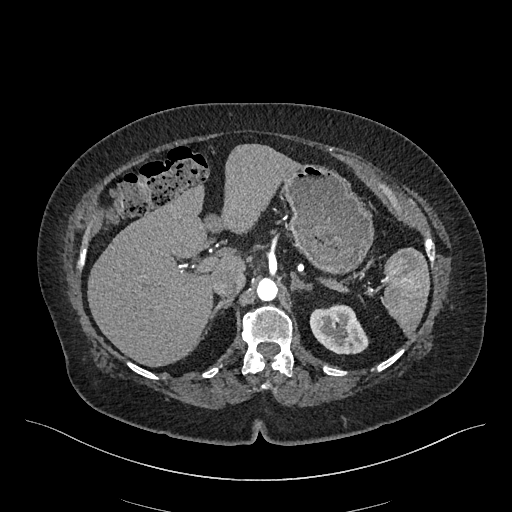
Arterial-phase contrast-enhanced abdominal CT, axial slice 334 of 548 (counted from the lowest slice); tube voltage 120 kVp, convolution kernel I26f; slices 1.00 mm thick, 0.852 mm per pixel.
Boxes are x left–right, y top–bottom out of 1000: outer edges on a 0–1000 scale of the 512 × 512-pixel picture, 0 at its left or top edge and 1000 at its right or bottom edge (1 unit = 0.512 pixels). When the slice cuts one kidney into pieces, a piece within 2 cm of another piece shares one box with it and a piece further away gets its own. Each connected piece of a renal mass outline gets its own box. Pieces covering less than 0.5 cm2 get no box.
Box x 604–721, y 594–693 out of 1000: left kidney (outlined area 2,218 px, about 16.1 cm2). No renal mass is outlined on this slice.